Arterial-phase contrast-enhanced abdominal CT, axial slice 424 of 683 (counted from the lowest slice); tube voltage 120 kVp, convolution kernel I30f; slices 1.00 mm thick, 0.738 mm per pixel.
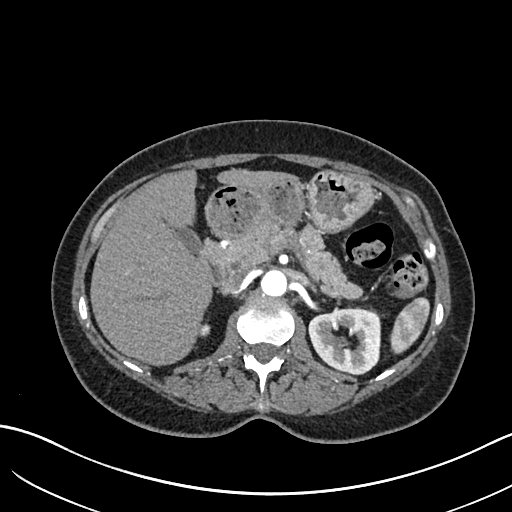
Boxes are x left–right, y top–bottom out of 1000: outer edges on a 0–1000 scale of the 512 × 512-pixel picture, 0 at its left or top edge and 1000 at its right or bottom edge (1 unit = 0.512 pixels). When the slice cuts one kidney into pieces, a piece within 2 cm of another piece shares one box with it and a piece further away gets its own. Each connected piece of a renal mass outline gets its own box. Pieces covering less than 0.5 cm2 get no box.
Left kidney at x 602–744, y 600–732 out of 1000 (outlined area 3,751 px, about 20.4 cm2). No renal mass is outlined on this slice.